Abdominal CT with intravenous contrast, arterial phase, axial plane, 100 kVp, kernel I40f. Slice 46/80 from the bottom of the scan; thickness 5.00 mm; pixel size 0.648 mm.
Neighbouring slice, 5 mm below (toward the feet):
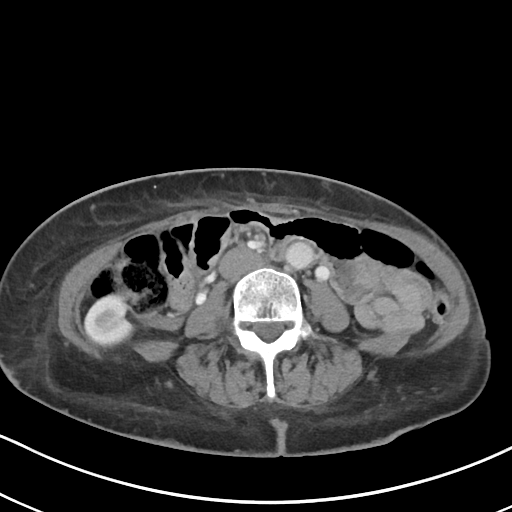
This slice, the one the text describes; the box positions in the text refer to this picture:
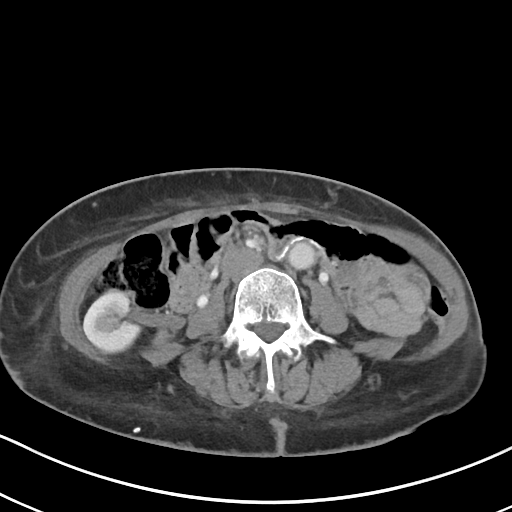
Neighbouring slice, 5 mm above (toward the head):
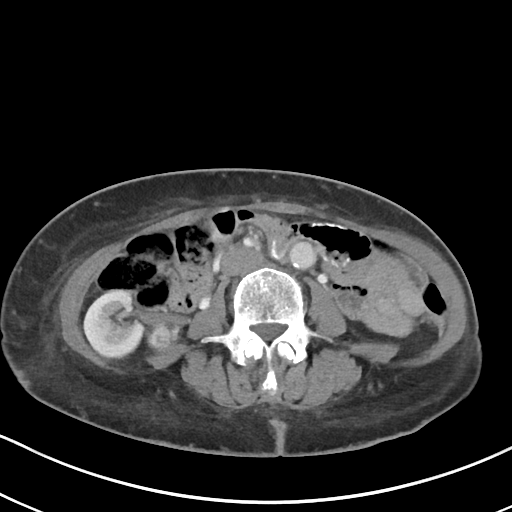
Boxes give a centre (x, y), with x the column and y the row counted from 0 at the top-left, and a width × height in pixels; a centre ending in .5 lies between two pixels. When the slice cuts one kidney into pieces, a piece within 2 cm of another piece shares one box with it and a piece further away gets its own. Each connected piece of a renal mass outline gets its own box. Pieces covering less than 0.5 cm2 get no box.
Boxed on this slice (one kidney box and one renal mass box), listed by box centre from the image's left to its right: (1) Box centre (111.5, 322), 56 × 59 pixels: right kidney (outlined area 2,410 px, about 10.1 cm2). (2) Right renal mass in a box with centre (161, 338.5), 17 × 16 pixels (outlined area 199 px, about 0.8 cm2); it sits over 1 cm from every kidney outline on this slice, but the same outlined renal mass comes within 1 cm of the kidney on another slice. This slice lies near the end of the right renal mass toward the feet; the slices 5 mm below and 5 mm above it are shown too, and the boxes mark positions on this slice only.